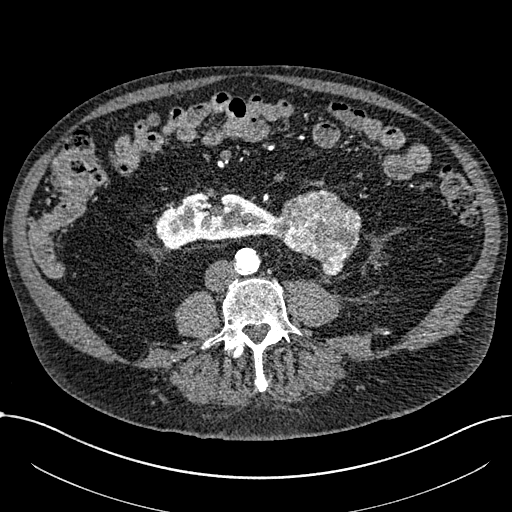
Abdominal CT with intravenous contrast, arterial phase, axial plane, 100 kVp, kernel I30f. Slice 264/1059 from the bottom of the scan; thickness 1.00 mm; pixel size 0.811 mm.
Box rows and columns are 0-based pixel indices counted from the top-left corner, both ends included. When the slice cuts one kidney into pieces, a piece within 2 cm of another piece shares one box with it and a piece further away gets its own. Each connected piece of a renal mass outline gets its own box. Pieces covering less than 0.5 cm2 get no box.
Two boxes on this slice (one kidney box and one renal mass box), listed by box centre from the image's left to its right. (1) Box rows 192–248, columns 156–275: right part of the midline-crossing kidney (outlined area 4,572 px, about 30.0 cm2). (2) Box rows 189–275, columns 274–361: renal mass (outlined area 4,997 px, about 32.8 cm2).